One axial slice (167 of 274, counting up from the lowest) of a contrast-enhanced abdominal CT acquired with 120 kVp, kernel B31f; each pixel is 0.977 mm and the slice is 2.00 mm thick.
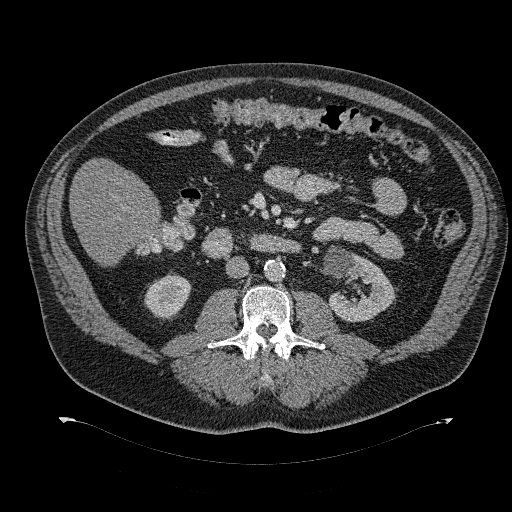
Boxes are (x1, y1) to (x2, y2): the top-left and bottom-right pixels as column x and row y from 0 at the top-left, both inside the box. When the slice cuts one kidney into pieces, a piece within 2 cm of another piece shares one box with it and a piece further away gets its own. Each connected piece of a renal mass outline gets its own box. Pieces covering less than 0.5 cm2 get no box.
Two boxes on this slice (two kidney boxes), listed by box centre from the image's left to its right. (1) Right kidney, box (144, 271) to (191, 320) (outlined area 1,595 px, about 15.2 cm2). (2) Left kidney, box (322, 245) to (397, 321) (outlined area 3,433 px, about 32.7 cm2). This slice carries no renal mass outline.